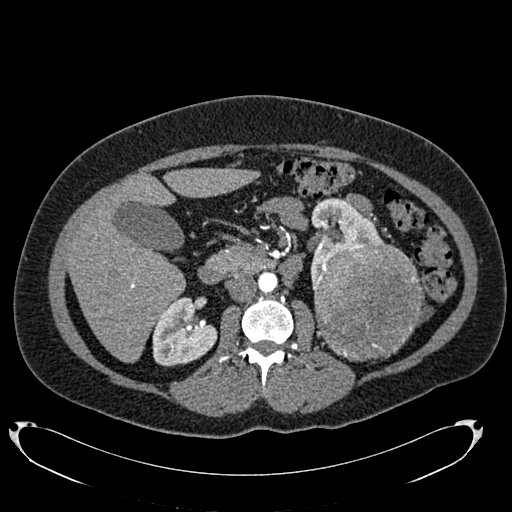
Arterial-phase contrast-enhanced abdominal CT, axial slice 425 of 634 (counted from the lowest slice); tube voltage 120 kVp, convolution kernel B20f; slices 1.00 mm thick, 0.838 mm per pixel.
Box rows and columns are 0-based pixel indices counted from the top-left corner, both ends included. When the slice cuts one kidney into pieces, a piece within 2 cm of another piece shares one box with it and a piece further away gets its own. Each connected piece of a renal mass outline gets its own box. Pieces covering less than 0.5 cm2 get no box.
Three boxes on this slice (two kidney boxes and one renal mass box), listed by box centre from the image's left to its right. (1) Box rows 297–366, columns 152–217: right kidney (outlined area 3,257 px, about 22.9 cm2). (2) Left kidney at rows 197–283, columns 309–384 (outlined area 3,091 px, about 21.7 cm2). (3) Left renal mass at rows 241–361, columns 312–422 (outlined area 10,468 px, about 73.5 cm2).